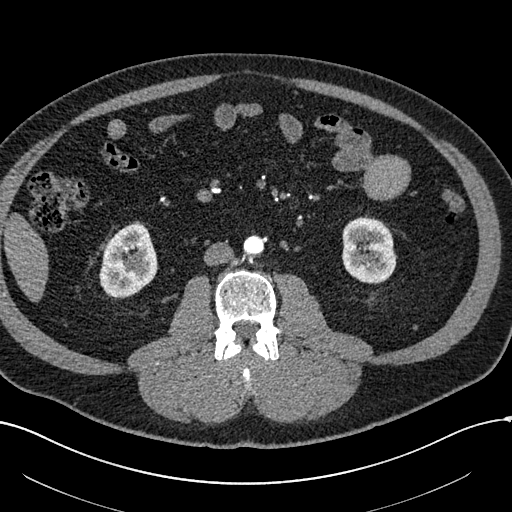
One axial slice (245 of 602, counting up from the lowest) of an arterial-phase abdominal CT acquired with 120 kVp, kernel I30f; each pixel is 0.799 mm and the slice is 1.00 mm thick.
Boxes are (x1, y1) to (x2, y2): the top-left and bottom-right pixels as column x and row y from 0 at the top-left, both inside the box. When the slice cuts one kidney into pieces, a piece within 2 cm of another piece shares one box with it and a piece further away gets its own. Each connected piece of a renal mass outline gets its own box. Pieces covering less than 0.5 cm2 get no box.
Two boxes on this slice (two kidney boxes), listed by box centre from the image's left to its right. (1) Right kidney from (99, 222) to (157, 299) (outlined area 3,318 px, about 21.2 cm2). (2) Box (342, 215) to (397, 284): left kidney (outlined area 3,029 px, about 19.3 cm2).